Axial slice 256 of 1059 of a contrast-enhanced abdominal CT in the arterial phase (slice 1 is the lowest), 100 kVp, kernel I30f; 1.00 mm slice thickness and 0.811 mm pixels.
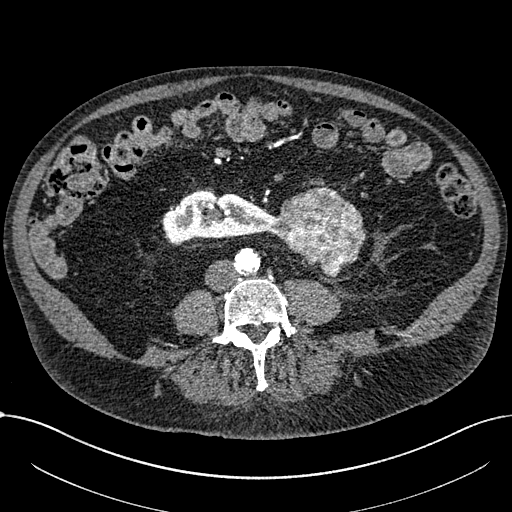
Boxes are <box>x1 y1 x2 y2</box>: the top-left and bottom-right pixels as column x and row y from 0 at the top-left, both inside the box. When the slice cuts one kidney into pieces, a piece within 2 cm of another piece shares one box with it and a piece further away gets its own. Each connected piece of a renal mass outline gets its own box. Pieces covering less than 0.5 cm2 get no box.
Two boxes on this slice (one kidney box and one renal mass box), listed by box centre from the image's left to its right. (1) At <box>161 190 274 243</box>: right part of the midline-crossing kidney (outlined area 4,233 px, about 27.8 cm2). (2) At <box>270 186 365 277</box>: renal mass (outlined area 5,645 px, about 37.1 cm2).